Arterial-phase contrast-enhanced abdominal CT, axial slice 81 of 234 (counted from the lowest slice); tube voltage 100 kVp, convolution kernel I40f; slices 2.00 mm thick, 0.699 mm per pixel.
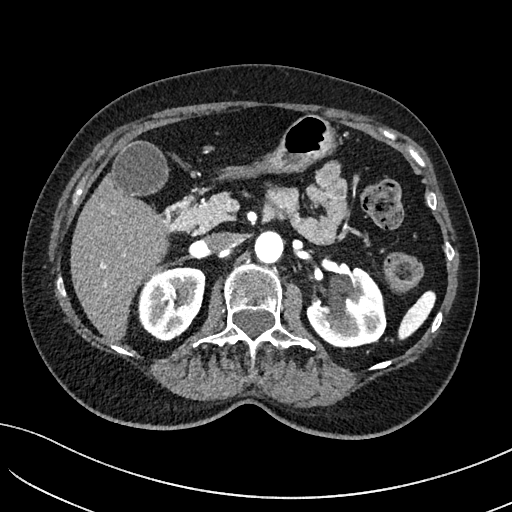
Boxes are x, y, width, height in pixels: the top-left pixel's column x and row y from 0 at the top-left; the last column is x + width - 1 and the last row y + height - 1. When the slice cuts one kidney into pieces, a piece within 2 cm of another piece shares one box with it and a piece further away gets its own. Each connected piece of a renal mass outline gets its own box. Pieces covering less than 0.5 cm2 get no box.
Two kidney boxes on this slice; by box centre, from the image's left to its right: (1) Box x 137, y 267, width 69, height 75: right kidney (outlined area 3,899 px, about 19.1 cm2). (2) Left kidney at x 306, y 267, width 81, height 81 (outlined area 4,549 px, about 22.2 cm2). No renal mass outline on this slice.